Arterial-phase contrast-enhanced abdominal CT, axial slice 425 of 665 (counted from the lowest slice); tube voltage 100 kVp, convolution kernel I26f; slices 1.00 mm thick, 0.828 mm per pixel.
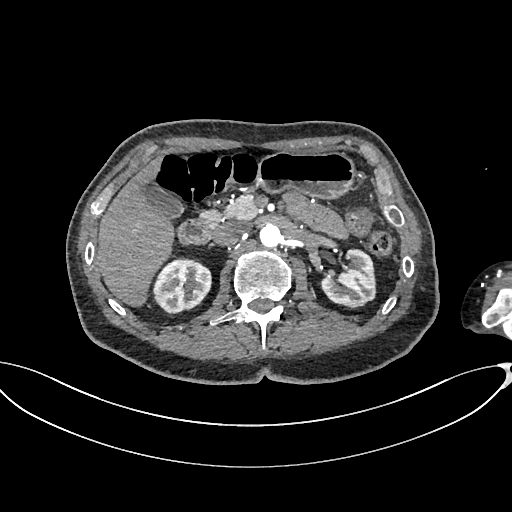
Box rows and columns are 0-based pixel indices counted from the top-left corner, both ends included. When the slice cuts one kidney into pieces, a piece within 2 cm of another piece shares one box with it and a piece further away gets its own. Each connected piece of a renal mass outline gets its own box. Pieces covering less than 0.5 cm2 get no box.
Two boxes on this slice (two kidney boxes), listed by box centre from the image's left to its right. (1) Right kidney, box rows 257–316, columns 152–211 (outlined area 2,563 px, about 17.6 cm2). (2) Left kidney, box rows 249–308, columns 320–376 (outlined area 2,373 px, about 16.3 cm2). No renal mass outline on this slice.